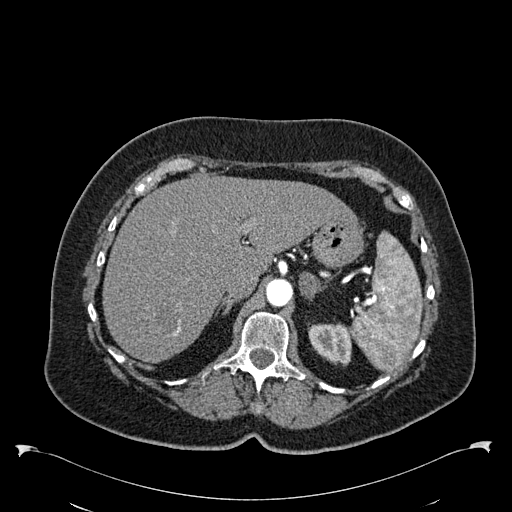
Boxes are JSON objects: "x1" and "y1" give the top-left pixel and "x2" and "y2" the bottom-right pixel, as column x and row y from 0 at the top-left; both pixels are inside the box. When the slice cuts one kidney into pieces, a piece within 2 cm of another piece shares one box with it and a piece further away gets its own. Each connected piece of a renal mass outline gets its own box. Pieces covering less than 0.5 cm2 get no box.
Slice 431/538 of a contrast-enhanced abdominal CT in the arterial phase, counting up from the lowest; pixel size 0.811 mm, slice thickness 1.00 mm. Box {"x1": 308, "y1": 323, "x2": 351, "y2": 366}: left kidney (outlined area 1,457 px, about 9.6 cm2). No renal mass outline on this slice.
Acquired at 120 kVp and reconstructed with the B30f kernel.